One axial slice (182 of 433, counting up from the lowest) of a contrast-enhanced abdominal CT acquired with 120 kVp, kernel B30f; each pixel is 0.672 mm and the slice is 1.00 mm thick.
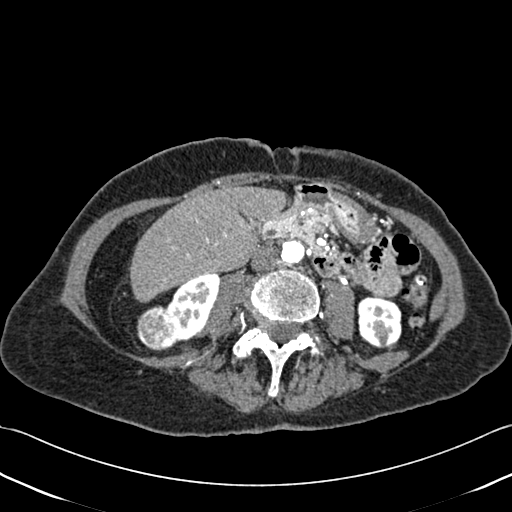
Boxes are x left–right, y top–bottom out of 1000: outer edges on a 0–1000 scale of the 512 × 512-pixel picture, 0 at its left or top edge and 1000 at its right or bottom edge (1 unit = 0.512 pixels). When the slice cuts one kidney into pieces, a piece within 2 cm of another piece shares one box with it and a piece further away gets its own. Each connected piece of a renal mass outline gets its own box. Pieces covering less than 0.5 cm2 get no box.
Boxed on this slice (two kidney boxes and one renal mass box), listed by box centre from the image's left to its right: (1) Right renal mass, box x 268–354, y 596–686 out of 1000 (outlined area 1,543 px, about 7.0 cm2). (2) Box x 320–432, y 533–668 out of 1000: right kidney (outlined area 2,245 px, about 10.1 cm2). (3) Left kidney, box x 697–785, y 578–684 out of 1000 (outlined area 1,959 px, about 8.8 cm2).